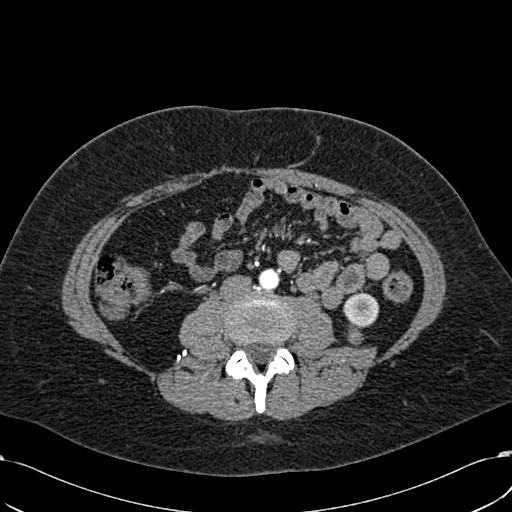
Abdominal CT with intravenous contrast, arterial phase, axial plane, 120 kVp, kernel B30f. Slice 256/532 from the bottom of the scan; thickness 1.00 mm; pixel size 0.713 mm.
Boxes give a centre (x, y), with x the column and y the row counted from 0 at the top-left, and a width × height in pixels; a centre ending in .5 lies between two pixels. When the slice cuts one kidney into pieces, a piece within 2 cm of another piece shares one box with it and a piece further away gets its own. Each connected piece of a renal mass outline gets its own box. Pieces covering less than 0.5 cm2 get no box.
Boxed on this slice (one kidney box and one renal mass box), listed by box centre from the image's left to its right: (1) Left renal mass, box centre (355, 334), 17 × 23 pixels (outlined area 259 px, about 1.3 cm2). (2) Box centre (361, 309.5), 37 × 36 pixels: left kidney (outlined area 983 px, about 5.0 cm2).